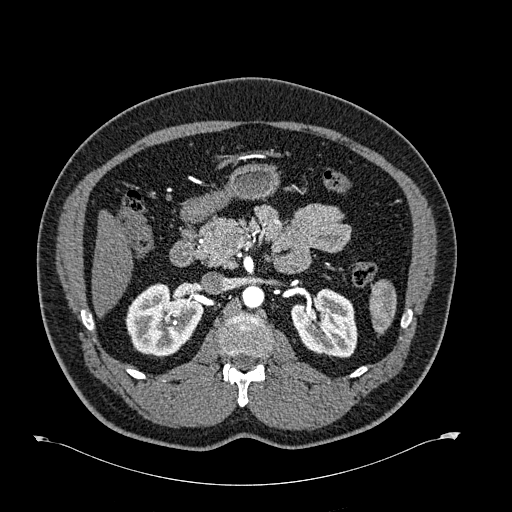
One axial slice (402 of 723, counting up from the lowest) of an arterial-phase abdominal CT acquired with 120 kVp, kernel B30f; each pixel is 0.895 mm and the slice is 1.00 mm thick.
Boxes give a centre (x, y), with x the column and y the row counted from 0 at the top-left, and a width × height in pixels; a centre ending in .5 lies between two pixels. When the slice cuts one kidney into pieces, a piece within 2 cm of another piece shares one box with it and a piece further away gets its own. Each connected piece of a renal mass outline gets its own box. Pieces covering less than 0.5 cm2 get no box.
Two kidney boxes on this slice; by box centre, from the image's left to its right: (1) Box centre (164, 320), 79 × 75 pixels: right kidney (outlined area 4,161 px, about 33.3 cm2). (2) Box centre (324, 322.5), 67 × 70 pixels: left kidney (outlined area 3,498 px, about 28.0 cm2). This slice carries no renal mass outline.